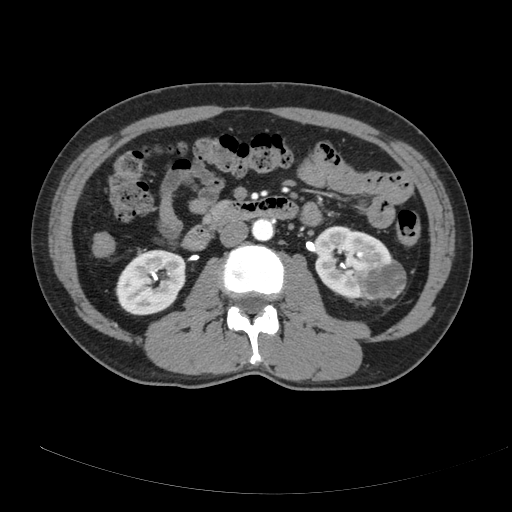
Axial slice 102 of 178 of a contrast-enhanced abdominal CT (slice 1 is the lowest), 120 kVp, kernel B; 3.00 mm slice thickness and 0.818 mm pixels.
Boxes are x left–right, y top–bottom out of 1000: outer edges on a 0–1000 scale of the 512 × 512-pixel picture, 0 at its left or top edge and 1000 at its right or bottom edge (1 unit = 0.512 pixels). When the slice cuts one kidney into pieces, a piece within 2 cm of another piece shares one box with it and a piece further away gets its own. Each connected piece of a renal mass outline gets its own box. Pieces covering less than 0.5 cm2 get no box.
Three boxes on this slice (two kidney boxes and one renal mass box), listed by box centre from the image's left to its right. (1) Right kidney, box x 225–363, y 486–617 out of 1000 (outlined area 3,620 px, about 24.2 cm2). (2) Box x 613–768, y 439–588 out of 1000: left kidney (outlined area 3,522 px, about 23.6 cm2). (3) Left renal mass, box x 697–795, y 504–586 out of 1000 (outlined area 1,670 px, about 11.2 cm2).